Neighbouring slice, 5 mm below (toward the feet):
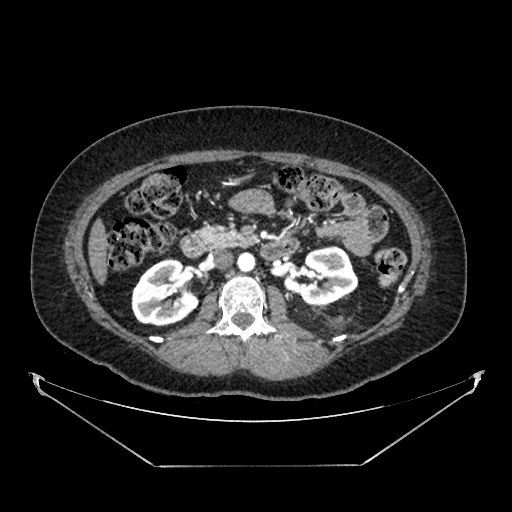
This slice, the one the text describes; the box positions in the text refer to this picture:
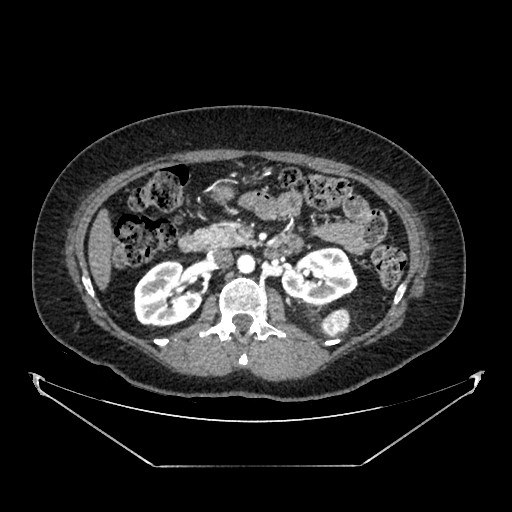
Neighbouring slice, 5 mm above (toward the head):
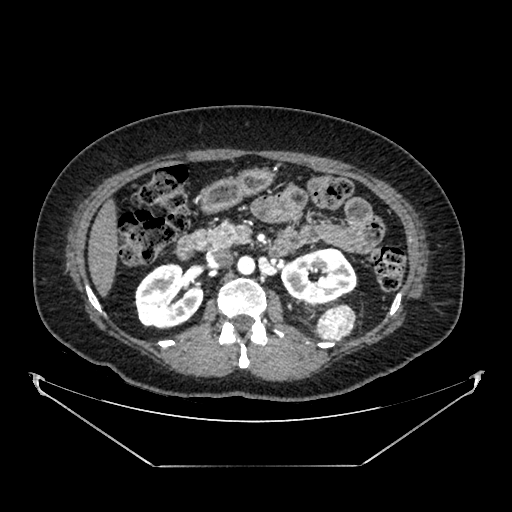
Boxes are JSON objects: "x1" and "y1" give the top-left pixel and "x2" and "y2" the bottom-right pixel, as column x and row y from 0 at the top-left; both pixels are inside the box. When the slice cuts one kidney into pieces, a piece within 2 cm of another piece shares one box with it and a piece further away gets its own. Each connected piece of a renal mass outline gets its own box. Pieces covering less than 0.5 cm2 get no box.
Arterial-phase contrast-enhanced abdominal CT, axial slice 231 of 383 (counted from the lowest slice); 1.25 mm thick, 0.898 mm per pixel. Three boxes on this slice (two kidney boxes and one renal mass box), listed by box centre from the image's left to its right. (1) Right kidney at {"x1": 133, "y1": 260, "x2": 204, "y2": 328} (outlined area 3,527 px, about 28.5 cm2). (2) Left kidney at {"x1": 281, "y1": 247, "x2": 357, "y2": 305} (outlined area 3,283 px, about 26.5 cm2). (3) Box {"x1": 318, "y1": 309, "x2": 350, "y2": 337}: left renal mass (outlined area 639 px, about 5.2 cm2). This slice is near the end of the left renal mass toward the feet, so the slices 5 mm below and 5 mm above it are shown as well; the boxes refer to this slice only.
Scan settings: 100 kVp, SOFT reconstruction kernel.